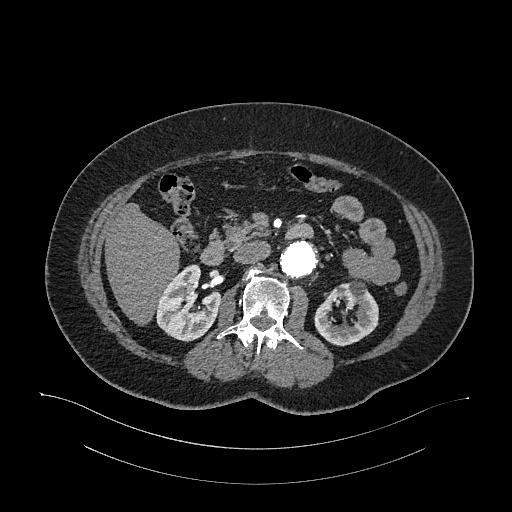
Arterial-phase contrast-enhanced abdominal CT, axial slice 651 of 987 (counted from the lowest slice); tube voltage 120 kVp, convolution kernel I26f; slices 1.00 mm thick, 0.977 mm per pixel.
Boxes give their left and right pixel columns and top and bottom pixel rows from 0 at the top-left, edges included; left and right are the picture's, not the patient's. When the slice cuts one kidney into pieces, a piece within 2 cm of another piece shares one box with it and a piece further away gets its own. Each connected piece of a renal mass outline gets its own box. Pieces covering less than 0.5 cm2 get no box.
Boxed on this slice (two kidney boxes), listed by box centre from the image's left to its right: (1) Box with left 155, top 264, right 219, bottom 341: right kidney (outlined area 3,413 px, about 32.5 cm2). (2) Box with left 314, top 280, right 378, bottom 346: left kidney (outlined area 2,845 px, about 27.1 cm2). No renal mass is outlined on this slice.